Axial slice 77 of 101 of a contrast-enhanced abdominal CT (slice 1 is the lowest), 100 kVp, kernel I40f; 5.00 mm slice thickness and 0.879 mm pixels.
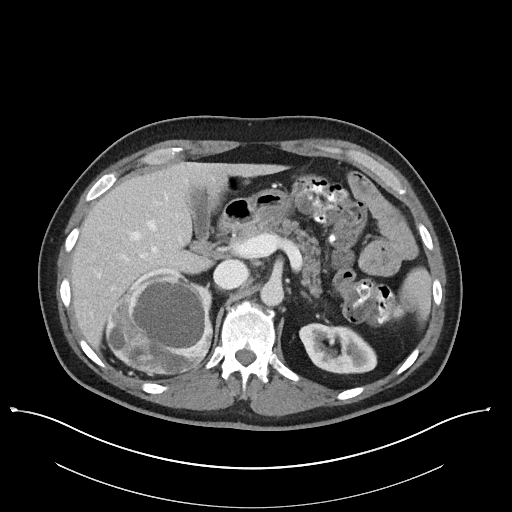
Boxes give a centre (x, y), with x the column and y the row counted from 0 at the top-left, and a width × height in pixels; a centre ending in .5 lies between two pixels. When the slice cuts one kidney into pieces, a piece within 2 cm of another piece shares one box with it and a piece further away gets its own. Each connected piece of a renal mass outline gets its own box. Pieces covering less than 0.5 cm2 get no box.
Boxed on this slice (two kidney boxes and one renal mass box), listed by box centre from the image's left to its right: (1) Right renal mass, box centre (159, 323.5), 109 × 102 pixels (outlined area 8,546 px, about 66.0 cm2). (2) Right kidney in a box with centre (172.5, 289), 80 × 45 pixels (outlined area 462 px, about 3.6 cm2). (3) Left kidney, box centre (338, 348), 79 × 53 pixels (outlined area 2,928 px, about 22.6 cm2).